Axial slice 235 of 602 of a contrast-enhanced abdominal CT in the arterial phase (slice 1 is the lowest), 120 kVp, kernel I30f; 1.00 mm slice thickness and 0.799 mm pixels.
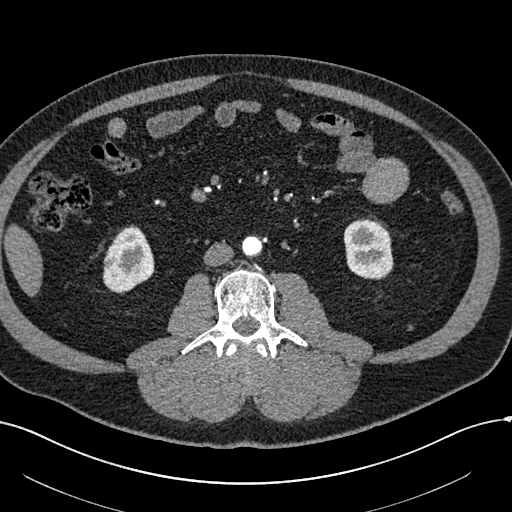
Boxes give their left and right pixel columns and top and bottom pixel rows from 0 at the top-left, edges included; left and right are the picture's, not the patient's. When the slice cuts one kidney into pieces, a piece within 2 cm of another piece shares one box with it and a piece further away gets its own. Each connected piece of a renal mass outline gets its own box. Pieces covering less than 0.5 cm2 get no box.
Three boxes on this slice (two kidney boxes and one renal mass box), listed by box centre from the image's left to its right. (1) Box with left 103, top 253, right 120, bottom 269: right renal mass (outlined area 233 px, about 1.5 cm2). (2) Right kidney, the box with left 102, top 225, right 154, bottom 293 (outlined area 2,368 px, about 15.1 cm2). (3) Box with left 343, top 219, right 393, bottom 279: left kidney (outlined area 2,465 px, about 15.7 cm2).